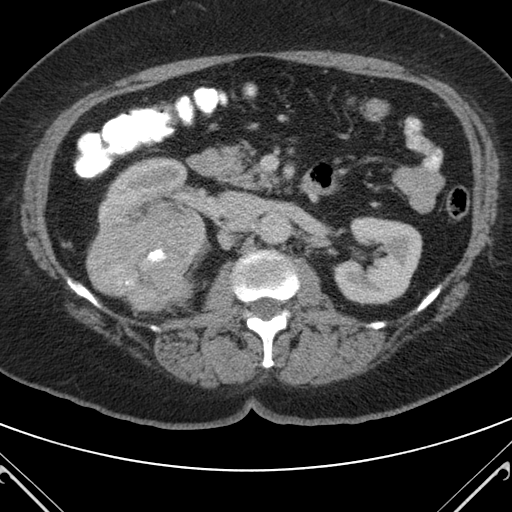
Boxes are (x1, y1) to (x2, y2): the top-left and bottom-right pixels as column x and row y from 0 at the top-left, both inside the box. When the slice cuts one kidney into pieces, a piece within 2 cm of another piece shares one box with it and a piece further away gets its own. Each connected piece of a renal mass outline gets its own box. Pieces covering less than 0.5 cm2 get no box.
This is axial slice 64 of 98 (slice 1 is the lowest) of an arterial-phase abdominal CT with contrast; each pixel is 0.703 mm and the slice is 5.00 mm thick. Boxed on this slice (two kidney boxes and one renal mass box), listed by box centre from the image's left to its right: (1) Box (85, 201) to (206, 313): right renal mass (outlined area 9,595 px, about 47.4 cm2). (2) Right kidney, box (98, 157) to (204, 227) (outlined area 4,351 px, about 21.5 cm2). (3) Box (333, 216) to (421, 303): left kidney (outlined area 5,701 px, about 28.2 cm2).
Tube voltage 120 kVp; convolution kernel B.